Axial slice 340 of 538 of a contrast-enhanced abdominal CT in the arterial phase (slice 1 is the lowest), 120 kVp, kernel B30f; 1.00 mm slice thickness and 0.811 mm pixels.
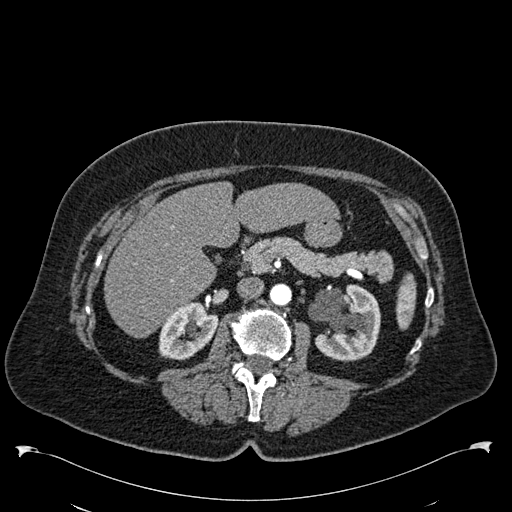
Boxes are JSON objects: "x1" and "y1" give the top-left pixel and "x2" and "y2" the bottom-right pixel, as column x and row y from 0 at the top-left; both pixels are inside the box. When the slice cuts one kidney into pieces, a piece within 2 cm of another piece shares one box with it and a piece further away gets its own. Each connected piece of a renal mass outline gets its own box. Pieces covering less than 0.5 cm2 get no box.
Two boxes on this slice (two kidney boxes), listed by box centre from the image's left to its right. (1) Box {"x1": 158, "y1": 301, "x2": 218, "y2": 360}: right kidney (outlined area 2,483 px, about 16.3 cm2). (2) Left kidney, box {"x1": 308, "y1": 284, "x2": 380, "y2": 361} (outlined area 4,174 px, about 27.4 cm2). This slice carries no renal mass outline.